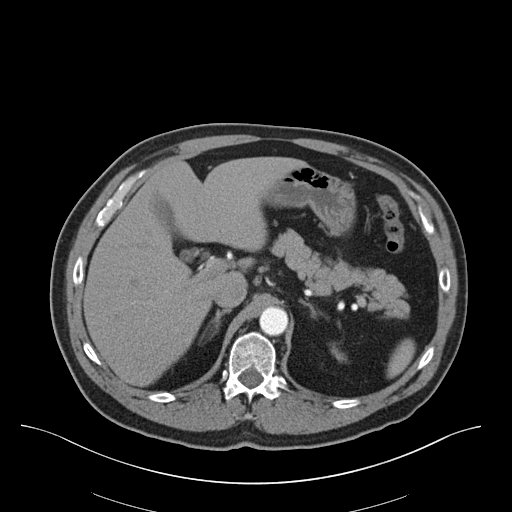
Abdominal CT with intravenous contrast, axial plane, 140 kVp, kernel B30f. Slice 50/75 from the bottom of the scan; thickness 3.00 mm; pixel size 0.875 mm.
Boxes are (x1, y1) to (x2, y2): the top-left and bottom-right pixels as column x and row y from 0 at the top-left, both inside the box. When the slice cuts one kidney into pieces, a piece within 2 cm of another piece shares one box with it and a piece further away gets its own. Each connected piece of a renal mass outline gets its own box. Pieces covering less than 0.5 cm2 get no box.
Left kidney from (331, 344) to (346, 361) (outlined area 145 px, about 1.1 cm2). This slice carries no renal mass outline.